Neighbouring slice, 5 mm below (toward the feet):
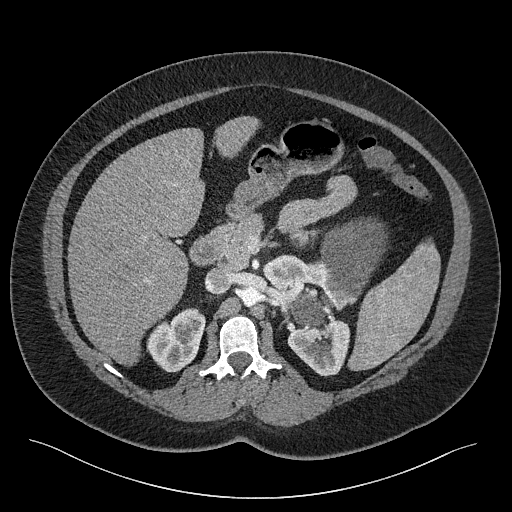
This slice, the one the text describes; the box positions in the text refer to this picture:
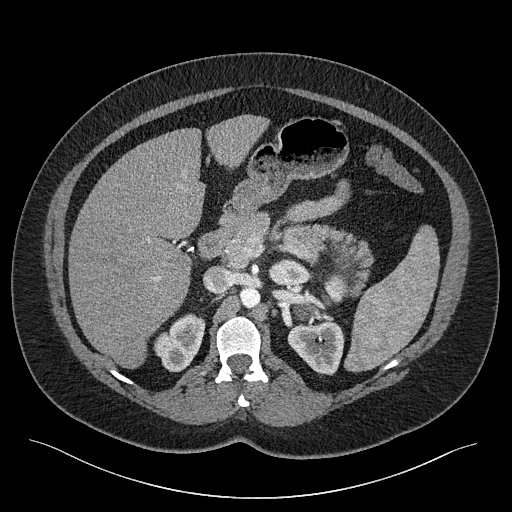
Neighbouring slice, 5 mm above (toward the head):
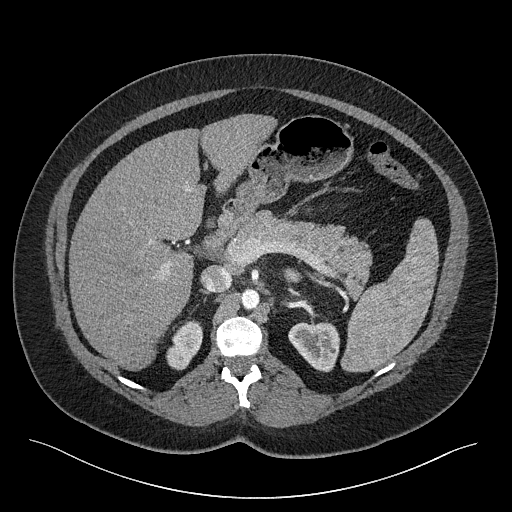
Abdominal CT with intravenous contrast, axial plane, 120 kVp, kernel I40f. Slice 162/301 from the bottom of the scan; thickness 2.00 mm; pixel size 0.859 mm.
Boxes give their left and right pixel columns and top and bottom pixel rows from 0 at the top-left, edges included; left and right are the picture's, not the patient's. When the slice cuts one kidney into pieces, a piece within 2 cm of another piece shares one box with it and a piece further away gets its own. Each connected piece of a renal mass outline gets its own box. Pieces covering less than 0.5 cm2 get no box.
Boxed on this slice (three kidney boxes and two renal mass boxes), listed by box centre from the image's left to its right: (1) Box with left 153, top 313, right 205, bottom 372: right kidney (outlined area 2,037 px, about 15.0 cm2). (2) Box with left 269, top 259, right 313, bottom 290: left kidney (one of two boxed parts) (outlined area 950 px, about 7.0 cm2). (3) Left renal mass in the box with left 293, top 302, right 316, bottom 319 (outlined area 299 px, about 2.2 cm2). (4) Left kidney (one of two boxed parts), the box with left 287, top 322, right 344, bottom 374 (outlined area 2,226 px, about 16.4 cm2). (5) Left renal mass in the box with left 323, top 240, right 356, bottom 297 (outlined area 1,161 px, about 8.6 cm2). This slice is near the end of the left renal mass toward the head, so the slices 5 mm below and 5 mm above it are shown as well; the boxes refer to this slice only.